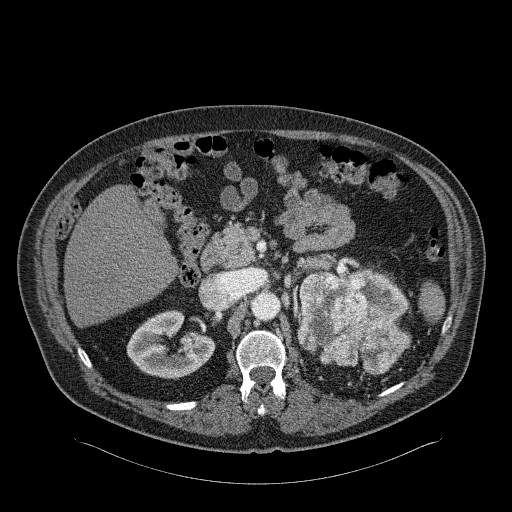
One axial slice (155 of 326, counting up from the lowest) of an arterial-phase abdominal CT acquired with 120 kVp, kernel B31f; each pixel is 0.963 mm and the slice is 2.00 mm thick.
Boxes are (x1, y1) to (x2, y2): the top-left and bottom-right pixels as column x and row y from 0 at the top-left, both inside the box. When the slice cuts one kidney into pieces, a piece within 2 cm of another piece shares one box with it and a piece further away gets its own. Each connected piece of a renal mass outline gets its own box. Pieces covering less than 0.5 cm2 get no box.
Two kidney boxes and one renal mass box on this slice; by box centre, from the image's left to its right: (1) Right kidney, box (126, 310) to (215, 379) (outlined area 3,960 px, about 36.7 cm2). (2) Box (297, 270) to (410, 374): left renal mass (outlined area 7,834 px, about 72.6 cm2). (3) Left kidney, box (360, 269) to (407, 320) (outlined area 1,439 px, about 13.3 cm2).